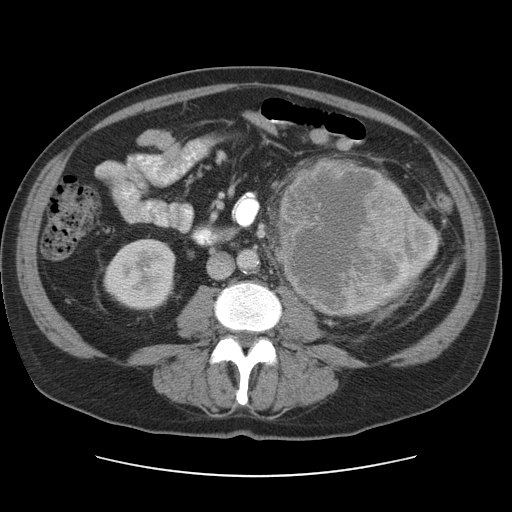
One axial slice (52 of 95, counting up from the lowest) of a contrast-enhanced abdominal CT acquired with 120 kVp, kernel STANDARD; each pixel is 0.781 mm and the slice is 5.00 mm thick.
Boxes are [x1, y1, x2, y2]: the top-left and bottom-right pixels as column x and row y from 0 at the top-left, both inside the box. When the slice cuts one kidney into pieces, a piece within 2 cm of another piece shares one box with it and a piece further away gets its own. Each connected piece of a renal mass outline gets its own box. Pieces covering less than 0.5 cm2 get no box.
Boxed on this slice (two kidney boxes and one renal mass box), listed by box centre from the image's left to its right: (1) Right kidney, box [103, 237, 175, 312] (outlined area 4,210 px, about 25.7 cm2). (2) Box [277, 159, 406, 317]: left renal mass (outlined area 16,486 px, about 100.6 cm2). (3) Left kidney, box [385, 177, 439, 304] (outlined area 2,567 px, about 15.7 cm2).